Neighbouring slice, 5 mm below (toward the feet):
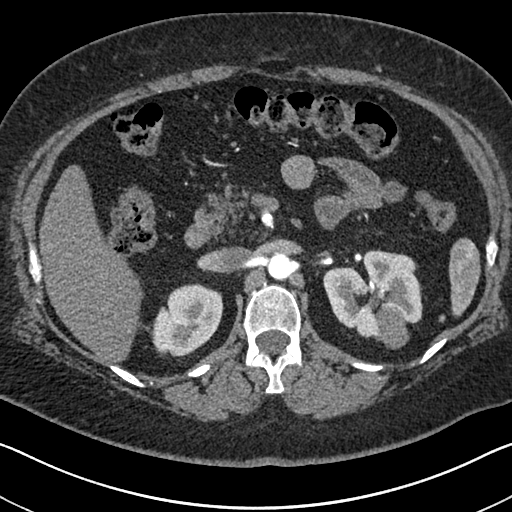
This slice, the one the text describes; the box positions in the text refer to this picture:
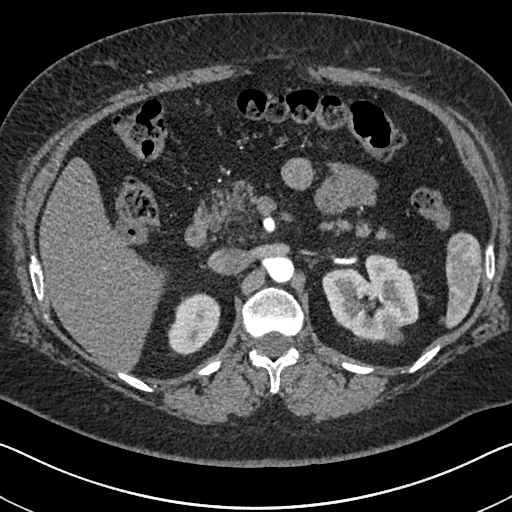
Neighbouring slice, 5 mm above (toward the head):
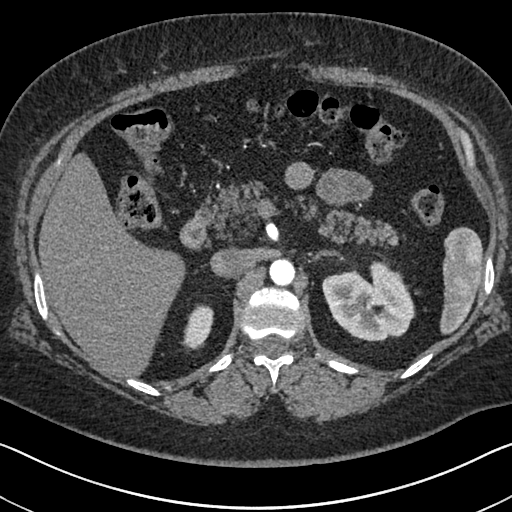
Arterial-phase contrast-enhanced abdominal CT, axial slice 454 of 591 (counted from the lowest slice); tube voltage 140 kVp, convolution kernel I30f; slices 1.00 mm thick, 0.703 mm per pixel.
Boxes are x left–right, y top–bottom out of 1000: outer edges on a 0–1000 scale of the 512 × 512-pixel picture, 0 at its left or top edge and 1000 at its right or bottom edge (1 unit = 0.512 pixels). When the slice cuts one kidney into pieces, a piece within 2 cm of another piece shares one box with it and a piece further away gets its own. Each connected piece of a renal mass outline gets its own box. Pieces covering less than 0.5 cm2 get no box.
Two kidney boxes and one renal mass box on this slice; by box centre, from the image's left to its right: (1) Right kidney at x 326–432, y 570–695 out of 1000 (outlined area 2,354 px, about 11.6 cm2). (2) Box x 629–818, y 494–666 out of 1000: left kidney (outlined area 5,759 px, about 28.5 cm2). (3) Left renal mass at x 748–789, y 621–674 out of 1000 (outlined area 402 px, about 2.0 cm2). This slice lies near the end of the left renal mass toward the head; the slices 5 mm below and 5 mm above it are shown too, and the boxes mark positions on this slice only.